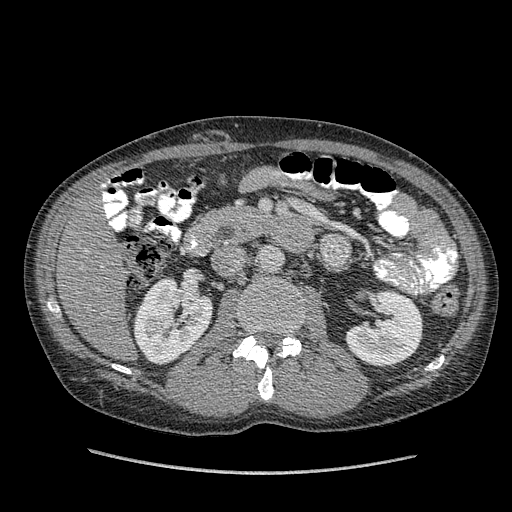
Axial slice 210 of 349 of a contrast-enhanced abdominal CT in the arterial phase (slice 1 is the lowest), 120 kVp, kernel STANDARD; 1.25 mm slice thickness and 0.742 mm pixels.
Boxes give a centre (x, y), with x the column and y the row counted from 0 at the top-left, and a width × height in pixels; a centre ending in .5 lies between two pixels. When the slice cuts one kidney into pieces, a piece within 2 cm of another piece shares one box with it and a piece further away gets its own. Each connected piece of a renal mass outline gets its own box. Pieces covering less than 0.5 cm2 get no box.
Two boxes on this slice (two kidney boxes), listed by box centre from the image's left to its right. (1) Right kidney, box centre (172.5, 320.5), 80 × 88 pixels (outlined area 5,022 px, about 27.7 cm2). (2) Box centre (384, 328), 79 × 79 pixels: left kidney (outlined area 4,383 px, about 24.1 cm2). This slice carries no renal mass outline.